Arterial-phase contrast-enhanced abdominal CT, axial slice 538 of 673 (counted from the lowest slice); tube voltage 140 kVp, convolution kernel I30f; slices 1.00 mm thick, 0.957 mm per pixel.
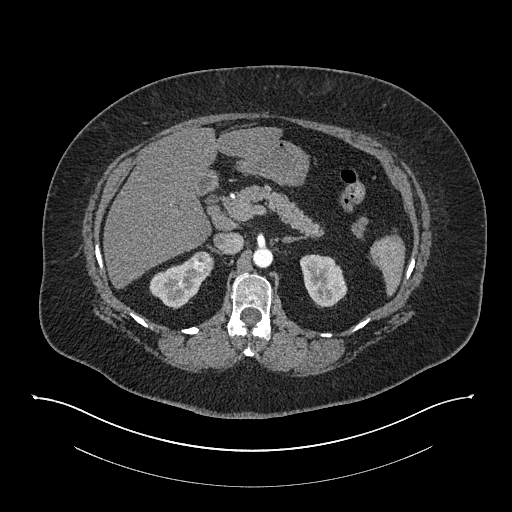
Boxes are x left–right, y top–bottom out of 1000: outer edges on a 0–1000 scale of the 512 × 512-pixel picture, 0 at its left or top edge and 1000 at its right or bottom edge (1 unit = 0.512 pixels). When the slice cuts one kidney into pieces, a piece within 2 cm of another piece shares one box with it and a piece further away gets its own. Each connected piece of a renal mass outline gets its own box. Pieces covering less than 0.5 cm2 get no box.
Boxed on this slice (two kidney boxes and one renal mass box), listed by box centre from the image's left to its right: (1) Right kidney at x 291–418, y 502–605 out of 1000 (outlined area 1,820 px, about 16.7 cm2). (2) Right renal mass, box x 373–418, y 490–529 out of 1000 (outlined area 365 px, about 3.3 cm2). (3) Left kidney, box x 584–680, y 496–602 out of 1000 (outlined area 1,887 px, about 17.3 cm2).